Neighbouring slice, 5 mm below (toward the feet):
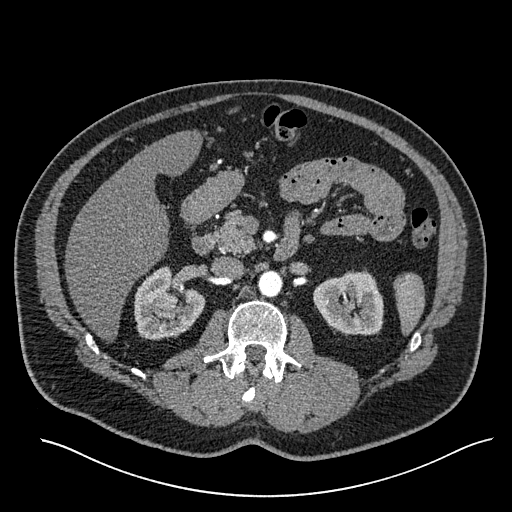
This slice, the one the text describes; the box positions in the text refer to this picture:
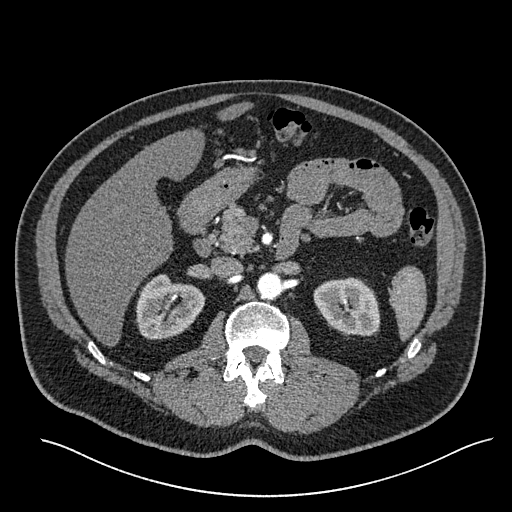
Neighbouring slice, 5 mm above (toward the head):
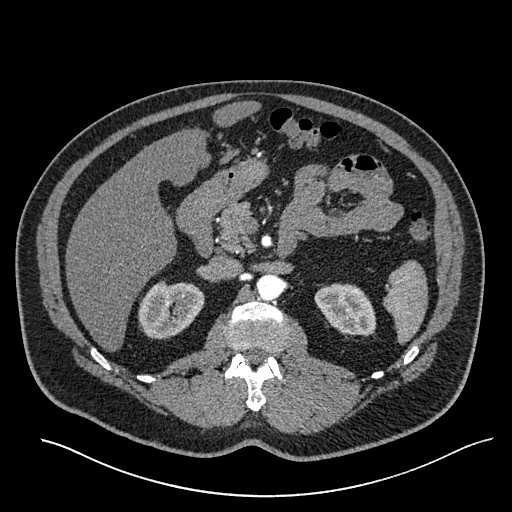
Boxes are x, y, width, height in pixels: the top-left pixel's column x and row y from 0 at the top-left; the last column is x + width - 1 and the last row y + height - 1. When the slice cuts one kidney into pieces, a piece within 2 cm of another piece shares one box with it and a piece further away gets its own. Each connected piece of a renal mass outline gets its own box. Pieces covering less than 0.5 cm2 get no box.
Arterial-phase contrast-enhanced abdominal CT, axial slice 360 of 527 (counted from the lowest slice); 1.00 mm thick, 0.859 mm per pixel. Two kidney boxes and one renal mass box on this slice; by box centre, from the image's left to its right: (1) Right renal mass at x 163, y 300, width 9, height 10 (outlined area 76 px, about 0.6 cm2). (2) Right kidney at x 135, y 274, width 71, height 66 (outlined area 3,238 px, about 23.9 cm2). (3) Left kidney, box x 313, y 277, width 68, height 60 (outlined area 3,085 px, about 22.8 cm2). This slice lies near the end of the right renal mass toward the head; the slices 5 mm below and 5 mm above it are shown too, and the boxes mark positions on this slice only.
Tube voltage 120 kVp; convolution kernel I30f.